One axial slice (331 of 512, counting up from the lowest) of an arterial-phase abdominal CT acquired with 120 kVp, kernel B30f; each pixel is 0.771 mm and the slice is 1.00 mm thick.
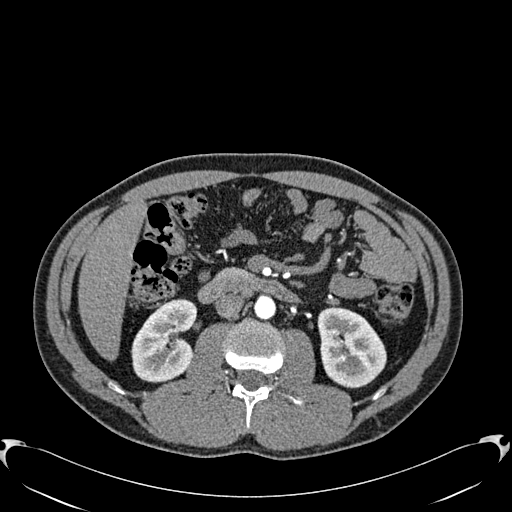
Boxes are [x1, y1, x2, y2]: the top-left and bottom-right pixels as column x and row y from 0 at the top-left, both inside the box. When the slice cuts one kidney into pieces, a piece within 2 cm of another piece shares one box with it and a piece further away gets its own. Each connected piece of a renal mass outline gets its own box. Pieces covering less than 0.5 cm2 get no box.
Boxed on this slice (two kidney boxes), listed by box centre from the image's left to its right: (1) Right kidney, box [131, 298, 197, 382] (outlined area 4,033 px, about 24.0 cm2). (2) Box [317, 306, 386, 388]: left kidney (outlined area 4,275 px, about 25.4 cm2). No renal mass outline on this slice.